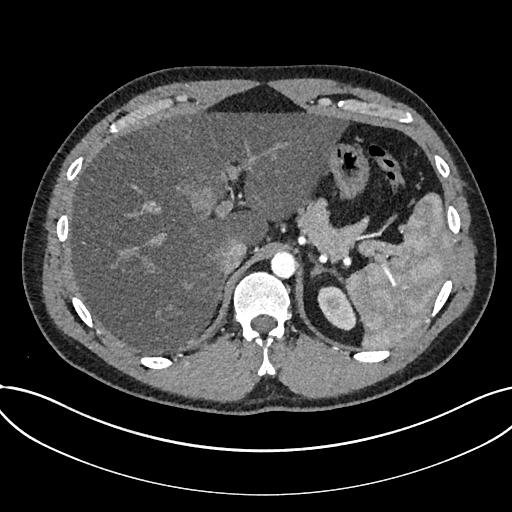
One axial slice (580 of 735, counting up from the lowest) of an arterial-phase abdominal CT acquired with 120 kVp, kernel I30f; each pixel is 0.789 mm and the slice is 1.00 mm thick.
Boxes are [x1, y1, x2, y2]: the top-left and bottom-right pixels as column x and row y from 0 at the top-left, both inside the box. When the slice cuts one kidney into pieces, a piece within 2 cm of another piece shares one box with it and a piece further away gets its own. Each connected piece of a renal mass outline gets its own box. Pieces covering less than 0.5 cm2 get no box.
Kidney at [317, 286, 356, 330] (outlined area 1,207 px, about 7.5 cm2). No renal mass is outlined on this slice.